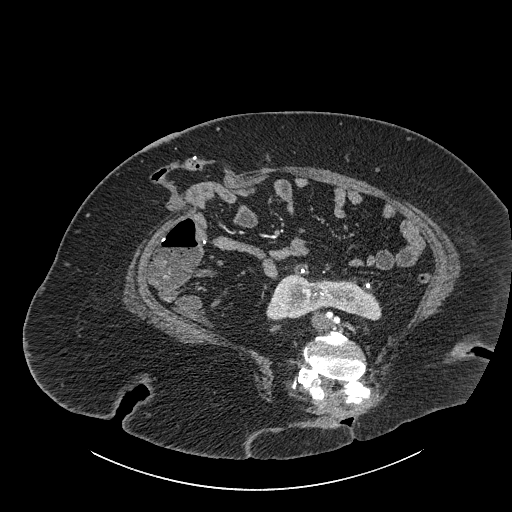
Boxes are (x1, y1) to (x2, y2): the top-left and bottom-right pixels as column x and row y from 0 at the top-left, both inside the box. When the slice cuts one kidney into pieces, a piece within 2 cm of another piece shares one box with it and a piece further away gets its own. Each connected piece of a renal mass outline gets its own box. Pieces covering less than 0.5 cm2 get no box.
Slice 428/834 of a contrast-enhanced abdominal CT, counting up from the lowest; pixel size 0.977 mm, slice thickness 1.00 mm. Kidney crossing the body midline, box (266, 269) to (381, 320) (outlined area 3,805 px, about 36.3 cm2). This slice carries no renal mass outline.
Acquired at 140 kVp and reconstructed with the I30f kernel.